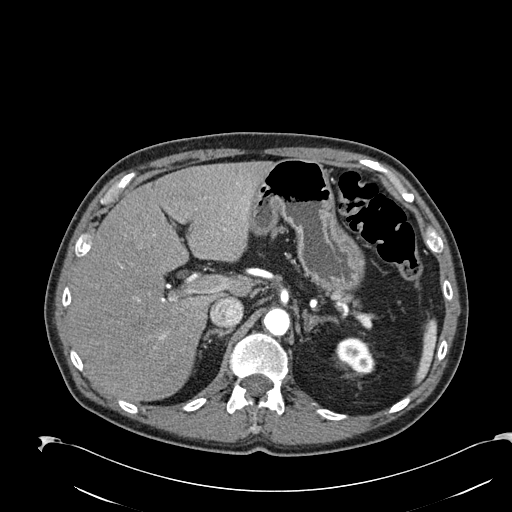
Arterial-phase contrast-enhanced abdominal CT, axial slice 169 of 274 (counted from the lowest slice); tube voltage 120 kVp, convolution kernel B30f; slices 2.00 mm thick, 0.809 mm per pixel.
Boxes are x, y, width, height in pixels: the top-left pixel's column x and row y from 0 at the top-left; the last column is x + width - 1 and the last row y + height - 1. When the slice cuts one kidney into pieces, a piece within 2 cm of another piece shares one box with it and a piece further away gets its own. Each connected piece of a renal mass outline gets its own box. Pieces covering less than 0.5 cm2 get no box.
Left kidney, box x 335, y 337, width 41, height 37 (outlined area 1,028 px, about 6.7 cm2). No renal mass is outlined on this slice.